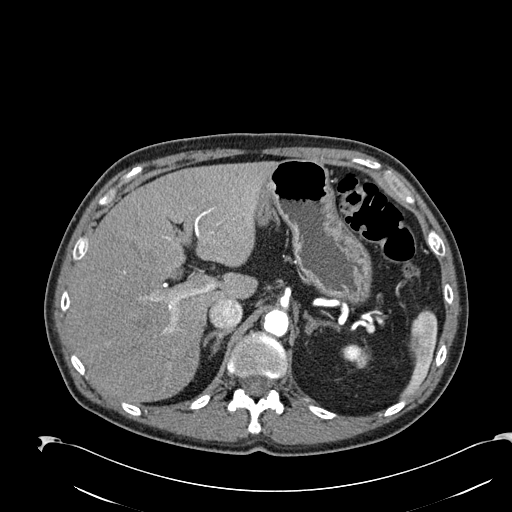
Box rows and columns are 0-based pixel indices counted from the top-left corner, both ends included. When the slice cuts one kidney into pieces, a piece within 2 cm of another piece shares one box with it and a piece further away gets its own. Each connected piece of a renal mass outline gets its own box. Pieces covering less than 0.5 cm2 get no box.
Slice 174/274 of a contrast-enhanced abdominal CT in the arterial phase, counting up from the lowest; pixel size 0.809 mm, slice thickness 2.00 mm. Box rows 344–365, columns 342–367: left kidney (outlined area 390 px, about 2.5 cm2). No renal mass is outlined on this slice.
Acquired at 120 kVp and reconstructed with the B30f kernel.